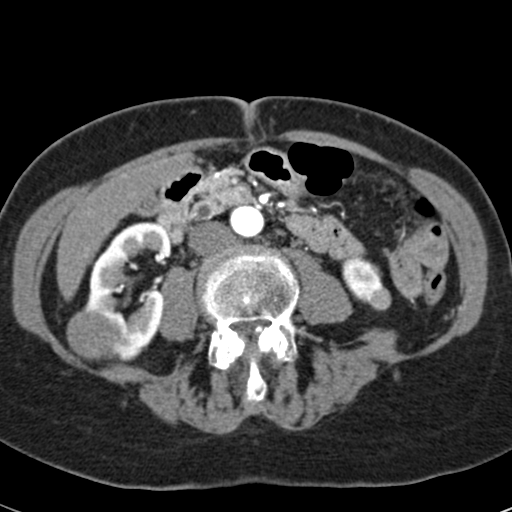
One axial slice (18 of 53, counting up from the lowest) of an arterial-phase abdominal CT acquired with 120 kVp, kernel B30f; each pixel is 0.547 mm and the slice is 3.00 mm thick.
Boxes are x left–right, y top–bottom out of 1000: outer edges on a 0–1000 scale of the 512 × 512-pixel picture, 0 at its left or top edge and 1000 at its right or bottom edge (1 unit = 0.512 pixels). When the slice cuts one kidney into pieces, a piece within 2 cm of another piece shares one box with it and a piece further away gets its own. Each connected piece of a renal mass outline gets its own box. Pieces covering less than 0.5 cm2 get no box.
Two kidney boxes and one renal mass box on this slice; by box centre, from the image's left to its right: (1) Right renal mass at x 129–262, y 604–705 out of 1000 (outlined area 2,323 px, about 6.9 cm2). (2) Right kidney, box x 162–336, y 432–707 out of 1000 (outlined area 6,699 px, about 20.0 cm2). (3) Box x 668–766, y 498–607 out of 1000: left kidney (outlined area 1,745 px, about 5.2 cm2).